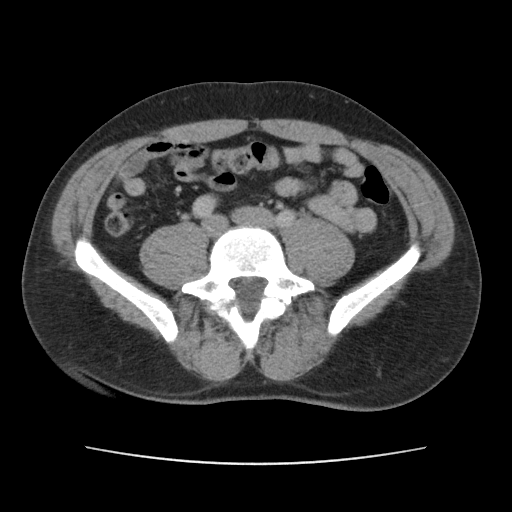
Axial slice 48 of 101 of a contrast-enhanced abdominal CT in the arterial phase (slice 1 is the lowest), 120 kVp, kernel FC14; 5.00 mm slice thickness and 0.755 mm pixels.
No kidney and no renal mass is outlined on this slice; the outlines in this scan cover only the kidneys and the renal masses, so nothing is said about any other organ.